One axial slice (54 of 77, counting up from the lowest) of an arterial-phase abdominal CT acquired with 100 kVp, kernel B41f; each pixel is 0.809 mm and the slice is 3.00 mm thick.
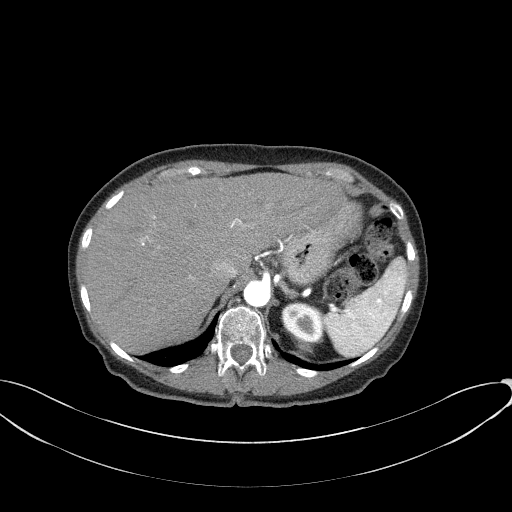
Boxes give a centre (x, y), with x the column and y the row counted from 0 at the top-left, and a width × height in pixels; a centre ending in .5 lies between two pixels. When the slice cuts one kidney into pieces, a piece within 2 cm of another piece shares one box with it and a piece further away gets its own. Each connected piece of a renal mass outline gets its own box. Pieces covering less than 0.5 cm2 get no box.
Left kidney, box centre (301.5, 322), 42 × 41 pixels (outlined area 1,317 px, about 8.6 cm2). No renal mass is outlined on this slice.